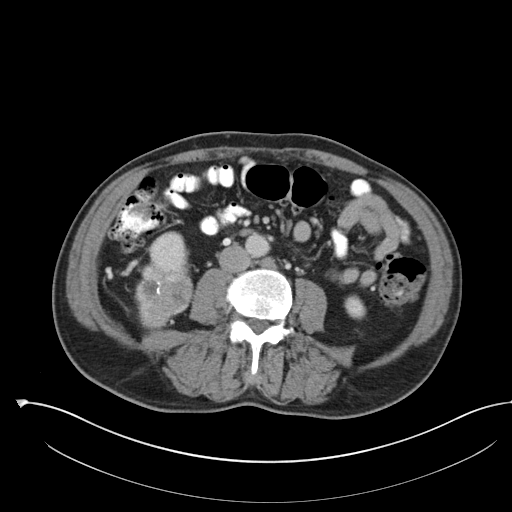
Abdominal CT with intravenous contrast, axial plane, 100 kVp, kernel I30f. Slice 55/142 from the bottom of the scan; thickness 5.00 mm; pixel size 0.855 mm.
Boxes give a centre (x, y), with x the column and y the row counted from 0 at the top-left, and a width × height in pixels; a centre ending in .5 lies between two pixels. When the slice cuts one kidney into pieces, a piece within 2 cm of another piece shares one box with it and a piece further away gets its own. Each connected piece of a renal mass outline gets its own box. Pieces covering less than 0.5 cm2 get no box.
Three boxes on this slice (two kidney boxes and one renal mass box), listed by box centre from the image's left to its right. (1) Right renal mass, box centre (163.5, 295.5), 60 × 66 pixels (outlined area 2,861 px, about 20.9 cm2). (2) Box centre (168.5, 252), 40 × 43 pixels: right kidney (outlined area 1,208 px, about 8.8 cm2). (3) Left kidney, box centre (355, 306.5), 23 × 26 pixels (outlined area 424 px, about 3.1 cm2).